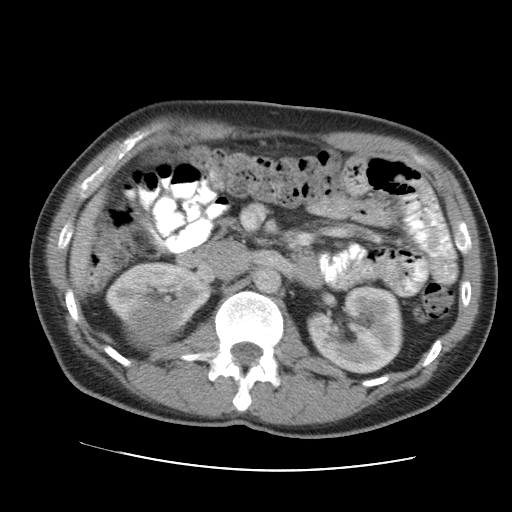
One axial slice (72 of 105, counting up from the lowest) of an arterial-phase abdominal CT acquired with 120 kVp, kernel STANDARD; each pixel is 0.707 mm and the slice is 5.00 mm thick.
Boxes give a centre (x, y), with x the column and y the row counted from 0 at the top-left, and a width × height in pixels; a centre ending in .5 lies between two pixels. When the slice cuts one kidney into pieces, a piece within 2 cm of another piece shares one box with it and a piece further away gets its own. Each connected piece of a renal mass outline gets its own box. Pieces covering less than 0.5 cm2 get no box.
Two kidney boxes and one renal mass box on this slice; by box centre, from the image's left to its right: (1) Right renal mass, box centre (153, 323), 65 × 53 pixels (outlined area 2,486 px, about 12.4 cm2). (2) Right kidney, box centre (159, 292.5), 109 × 64 pixels (outlined area 3,928 px, about 19.6 cm2). (3) Box centre (355, 329.5), 97 × 90 pixels: left kidney (outlined area 6,447 px, about 32.2 cm2).